Abdominal CT with intravenous contrast, arterial phase, axial plane, 120 kVp, kernel I26f. Slice 537/987 from the bottom of the scan; thickness 1.00 mm; pixel size 0.977 mm.
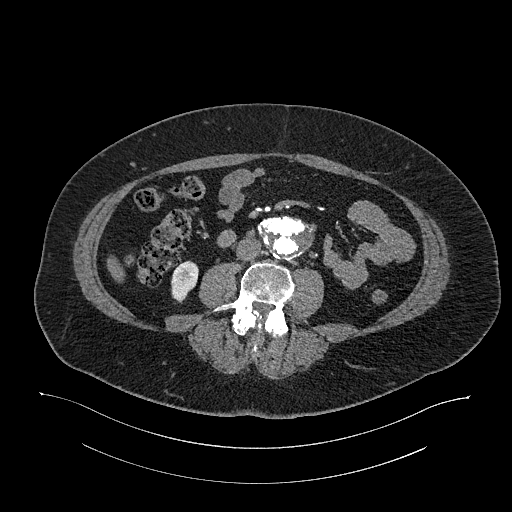
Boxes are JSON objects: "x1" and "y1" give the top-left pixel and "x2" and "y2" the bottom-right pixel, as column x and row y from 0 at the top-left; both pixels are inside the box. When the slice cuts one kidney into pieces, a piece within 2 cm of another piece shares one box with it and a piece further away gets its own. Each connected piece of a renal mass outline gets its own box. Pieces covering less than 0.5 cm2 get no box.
Box {"x1": 171, "y1": 260, "x2": 198, "y2": 302}: right kidney (outlined area 852 px, about 8.1 cm2). No renal mass is outlined on this slice.